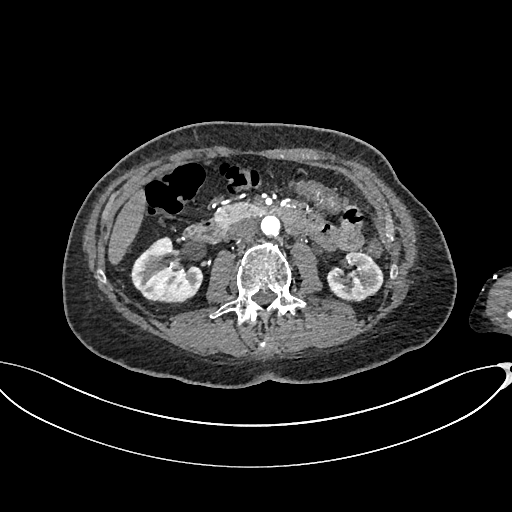
Abdominal CT with intravenous contrast, arterial phase, axial plane, 100 kVp, kernel I26f. Slice 370/665 from the bottom of the scan; thickness 1.00 mm; pixel size 0.828 mm.
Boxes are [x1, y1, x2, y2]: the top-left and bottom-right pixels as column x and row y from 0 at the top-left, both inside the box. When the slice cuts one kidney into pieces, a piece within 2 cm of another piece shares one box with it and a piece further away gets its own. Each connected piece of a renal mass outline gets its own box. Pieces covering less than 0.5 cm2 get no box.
Two boxes on this slice (two kidney boxes), listed by box centre from the image's left to its right. (1) Right kidney at [130, 236, 203, 303] (outlined area 3,355 px, about 23.0 cm2). (2) Left kidney, box [326, 251, 383, 301] (outlined area 2,112 px, about 14.5 cm2). No renal mass outline on this slice.